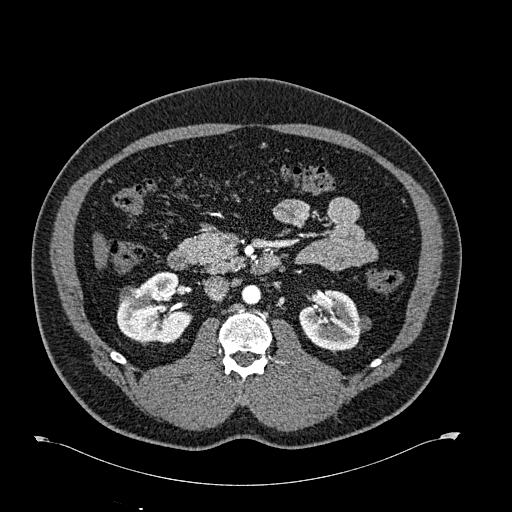
Axial slice 361 of 723 of a contrast-enhanced abdominal CT in the arterial phase (slice 1 is the lowest), 120 kVp, kernel B30f; 1.00 mm slice thickness and 0.895 mm pixels.
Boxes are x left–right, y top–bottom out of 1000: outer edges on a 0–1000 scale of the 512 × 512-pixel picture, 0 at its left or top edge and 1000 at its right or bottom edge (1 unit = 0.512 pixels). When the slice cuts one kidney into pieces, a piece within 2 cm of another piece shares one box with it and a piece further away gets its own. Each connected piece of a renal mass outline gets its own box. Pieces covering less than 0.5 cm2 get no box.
Two kidney boxes and one renal mass box on this slice; by box centre, from the image's left to its right: (1) Right renal mass at x 234–266, y 559–592 out of 1000 (outlined area 222 px, about 1.8 cm2). (2) Box x 227–377, y 529–672 out of 1000: right kidney (outlined area 3,792 px, about 30.3 cm2). (3) Left kidney, box x 584–727, y 564–691 out of 1000 (outlined area 3,131 px, about 25.1 cm2).